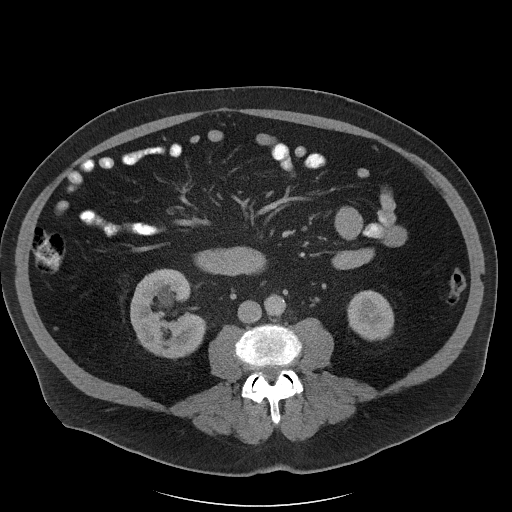
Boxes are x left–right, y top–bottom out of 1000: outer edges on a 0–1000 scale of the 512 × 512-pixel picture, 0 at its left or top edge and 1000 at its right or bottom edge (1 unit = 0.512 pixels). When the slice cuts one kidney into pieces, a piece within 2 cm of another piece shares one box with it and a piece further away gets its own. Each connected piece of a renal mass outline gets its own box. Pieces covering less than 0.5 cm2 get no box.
Slice 54/102 of a contrast-enhanced abdominal CT, counting up from the lowest; pixel size 0.977 mm, slice thickness 5.00 mm. Boxed on this slice (two kidney boxes), listed by box centre from the image's left to its right: (1) Box x 254–404, y 523–701 out of 1000: right kidney (outlined area 4,666 px, about 44.5 cm2). (2) Left kidney at x 678–771, y 566–666 out of 1000 (outlined area 1,869 px, about 17.8 cm2). No renal mass is outlined on this slice.
Acquired at 120 kVp and reconstructed with the I40f kernel.